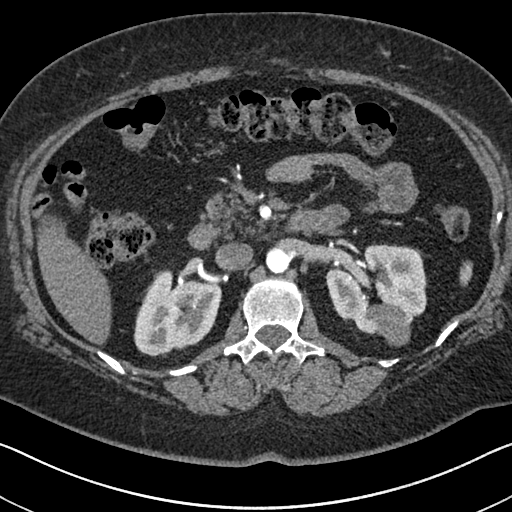
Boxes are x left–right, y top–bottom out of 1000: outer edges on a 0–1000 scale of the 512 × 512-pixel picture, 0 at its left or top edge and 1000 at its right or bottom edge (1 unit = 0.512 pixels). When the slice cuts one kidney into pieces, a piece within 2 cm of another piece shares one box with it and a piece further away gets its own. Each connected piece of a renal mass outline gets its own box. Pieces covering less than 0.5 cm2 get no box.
Slice 425/591 of a contrast-enhanced abdominal CT in the arterial phase, counting up from the lowest; pixel size 0.703 mm, slice thickness 1.00 mm. Boxed on this slice (two kidney boxes and one renal mass box), listed by box centre from the image's left to its right: (1) Right kidney at x 260–434, y 523–697 out of 1000 (outlined area 5,702 px, about 28.2 cm2). (2) Left kidney at x 637–834, y 477–654 out of 1000 (outlined area 5,930 px, about 29.3 cm2). (3) Left renal mass at x 727–803, y 594–678 out of 1000 (outlined area 1,202 px, about 5.9 cm2).
Acquired at 140 kVp and reconstructed with the I30f kernel.